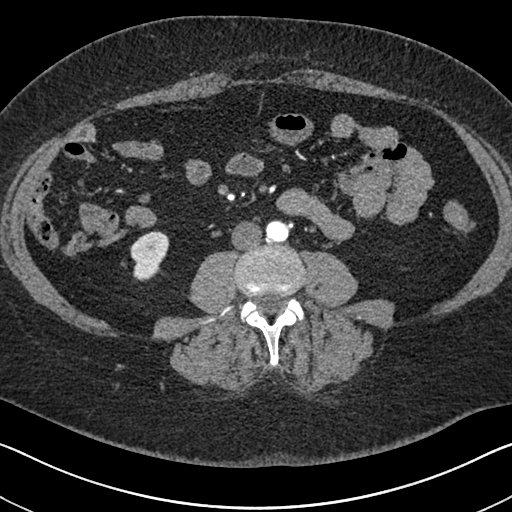
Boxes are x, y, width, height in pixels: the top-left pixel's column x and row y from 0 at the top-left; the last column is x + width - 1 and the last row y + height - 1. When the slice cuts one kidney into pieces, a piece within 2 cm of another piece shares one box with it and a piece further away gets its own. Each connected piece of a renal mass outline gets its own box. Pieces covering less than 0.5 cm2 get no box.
Arterial-phase contrast-enhanced abdominal CT, axial slice 281 of 591 (counted from the lowest slice); 1.00 mm thick, 0.703 mm per pixel. Right kidney, box x 130, y 231, width 40, height 51 (outlined area 1,438 px, about 7.1 cm2). No renal mass outline on this slice.
Acquired at 140 kVp and reconstructed with the I30f kernel.